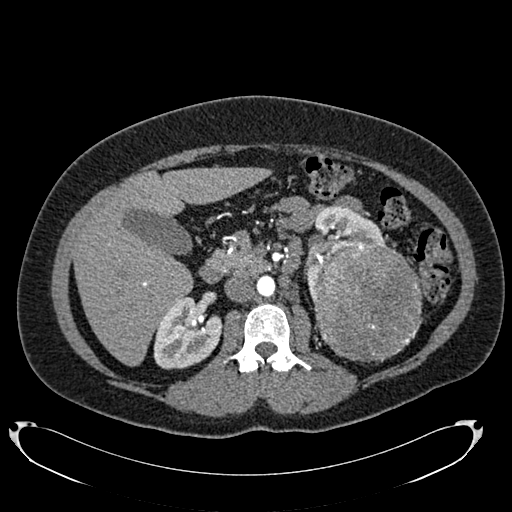
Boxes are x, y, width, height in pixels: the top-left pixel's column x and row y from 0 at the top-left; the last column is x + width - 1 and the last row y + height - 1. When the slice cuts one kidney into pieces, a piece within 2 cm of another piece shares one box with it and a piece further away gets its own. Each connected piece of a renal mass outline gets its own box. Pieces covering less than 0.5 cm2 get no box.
Slice 442/634 of a contrast-enhanced abdominal CT in the arterial phase, counting up from the lowest; pixel size 0.838 mm, slice thickness 1.00 mm. Boxed on this slice (two kidney boxes and one renal mass box), listed by box centre from the image's left to its right: (1) Right kidney at x 153, y 296, width 69, height 74 (outlined area 3,648 px, about 25.6 cm2). (2) Left kidney, box x 304, y 204, width 83, height 96 (outlined area 2,937 px, about 20.6 cm2). (3) Left renal mass, box x 311, y 241, width 112, height 122 (outlined area 10,627 px, about 74.6 cm2).
Acquired at 120 kVp and reconstructed with the B20f kernel.